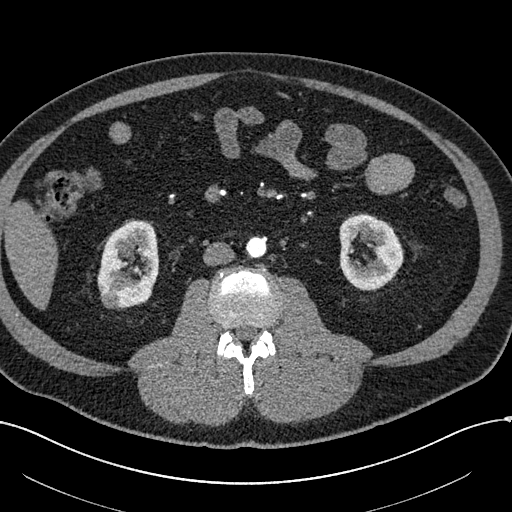
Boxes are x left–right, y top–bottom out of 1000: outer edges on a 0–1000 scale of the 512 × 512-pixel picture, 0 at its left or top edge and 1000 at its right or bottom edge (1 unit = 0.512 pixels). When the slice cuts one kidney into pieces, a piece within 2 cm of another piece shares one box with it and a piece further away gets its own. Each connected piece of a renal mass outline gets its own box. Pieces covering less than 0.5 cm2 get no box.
This is axial slice 262 of 602 (slice 1 is the lowest) of an arterial-phase abdominal CT with contrast; each pixel is 0.799 mm and the slice is 1.00 mm thick. Boxed on this slice (two kidney boxes and one renal mass box), listed by box centre from the image's left to its right: (1) Right renal mass at x 195–234, y 570–604 out of 1000 (outlined area 269 px, about 1.7 cm2). (2) Box x 189–311, y 430–602 out of 1000: right kidney (outlined area 4,008 px, about 25.6 cm2). (3) Left kidney at x 662–789, y 418–568 out of 1000 (outlined area 3,620 px, about 23.1 cm2).
Acquired at 120 kVp and reconstructed with the I30f kernel.